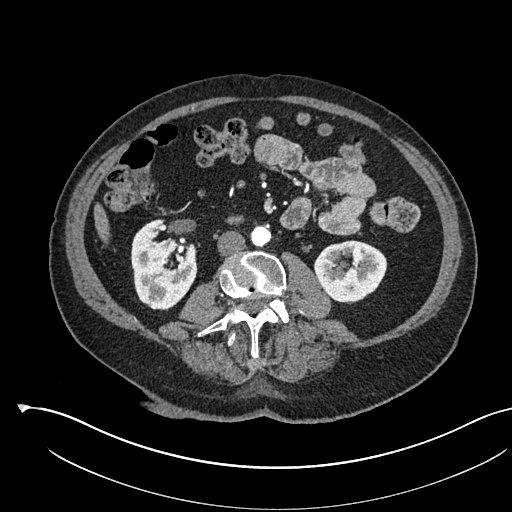
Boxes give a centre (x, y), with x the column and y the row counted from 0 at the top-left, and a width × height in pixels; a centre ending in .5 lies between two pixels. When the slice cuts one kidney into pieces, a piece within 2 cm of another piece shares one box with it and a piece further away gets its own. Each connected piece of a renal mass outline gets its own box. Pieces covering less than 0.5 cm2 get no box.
Arterial-phase contrast-enhanced abdominal CT, axial slice 263 of 541 (counted from the lowest slice); 1.00 mm thick, 0.834 mm per pixel. Two kidney boxes on this slice; by box centre, from the image's left to its right: (1) Box centre (163.5, 264.5), 68 × 92 pixels: right kidney (outlined area 4,175 px, about 29.0 cm2). (2) Box centre (350, 271.5), 75 × 64 pixels: left kidney (outlined area 3,509 px, about 24.4 cm2). No renal mass is outlined on this slice.
Scan settings: 120 kVp, I30f reconstruction kernel.